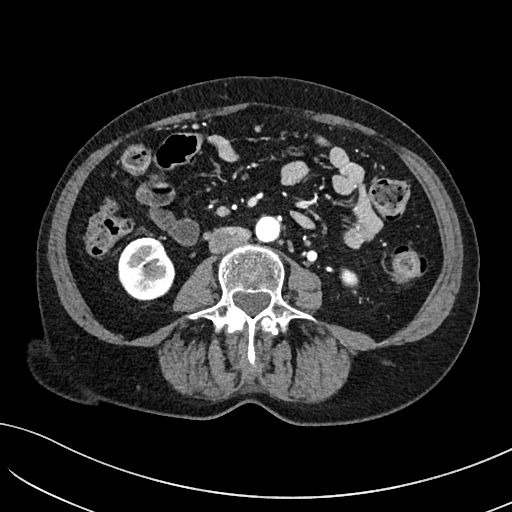
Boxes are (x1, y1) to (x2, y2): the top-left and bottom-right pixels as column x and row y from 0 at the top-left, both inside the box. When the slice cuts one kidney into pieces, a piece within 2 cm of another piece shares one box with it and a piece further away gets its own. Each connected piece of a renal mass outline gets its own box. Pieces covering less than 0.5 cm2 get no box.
Arterial-phase contrast-enhanced abdominal CT, axial slice 22 of 234 (counted from the lowest slice); 2.00 mm thick, 0.699 mm per pixel. Two kidney boxes on this slice; by box centre, from the image's left to its right: (1) Right kidney from (118, 235) to (175, 300) (outlined area 2,877 px, about 14.1 cm2). (2) Left kidney, box (340, 268) to (358, 287) (outlined area 276 px, about 1.3 cm2). No renal mass is outlined on this slice.
Acquired at 100 kVp and reconstructed with the I40f kernel.